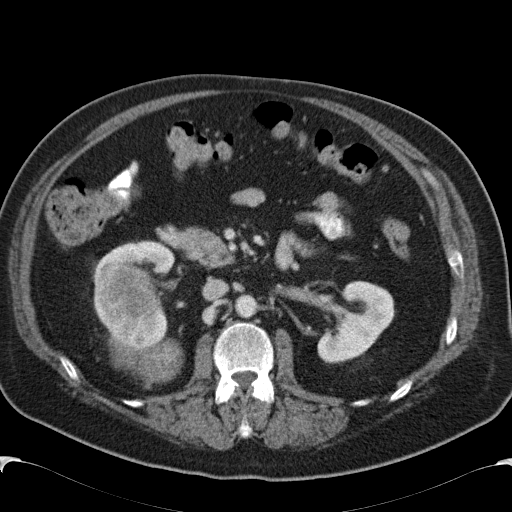
Contrast-enhanced abdominal CT, axial slice 70 of 99 (counted from the lowest slice); tube voltage 120 kVp, convolution kernel B31f; slices 5.00 mm thick, 0.742 mm per pixel.
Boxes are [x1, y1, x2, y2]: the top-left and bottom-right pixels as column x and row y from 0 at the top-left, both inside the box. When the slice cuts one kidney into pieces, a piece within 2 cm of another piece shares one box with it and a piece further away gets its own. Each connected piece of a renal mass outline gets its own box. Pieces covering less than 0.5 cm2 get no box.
Boxed on this slice (two kidney boxes and two renal mass boxes), listed by box centre from the image's left to its right: (1) Right renal mass, box [106, 264, 156, 317] (outlined area 2,137 px, about 11.8 cm2). (2) Box [93, 240, 174, 336]: right kidney (outlined area 4,128 px, about 22.7 cm2). (3) Right renal mass at [108, 331, 183, 388] (outlined area 3,087 px, about 17.0 cm2). (4) Left kidney at [317, 280, 395, 363] (outlined area 4,097 px, about 22.6 cm2).